Axial slice 416 of 634 of a contrast-enhanced abdominal CT in the arterial phase (slice 1 is the lowest), 120 kVp, kernel B20f; 1.00 mm slice thickness and 0.838 mm pixels.
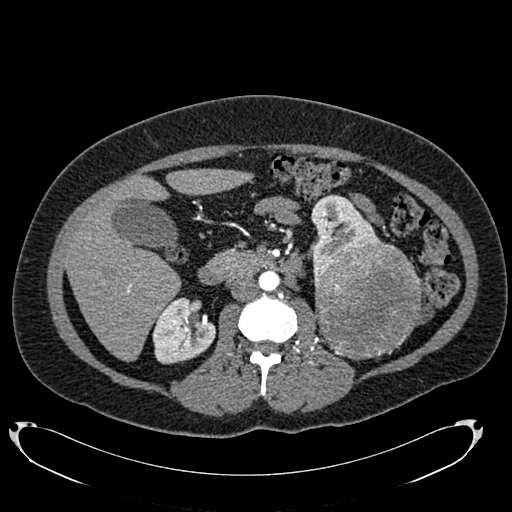
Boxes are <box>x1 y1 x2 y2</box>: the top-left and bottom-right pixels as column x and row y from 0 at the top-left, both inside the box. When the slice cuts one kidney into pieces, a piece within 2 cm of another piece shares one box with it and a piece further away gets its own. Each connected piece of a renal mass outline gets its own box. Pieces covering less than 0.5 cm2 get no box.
Three boxes on this slice (two kidney boxes and one renal mass box), listed by box centre from the image's left to its right. (1) Right kidney: <box>152 297 215 364</box> (outlined area 3,077 px, about 21.6 cm2). (2) Left kidney: <box>311 194 380 278</box> (outlined area 2,990 px, about 21.0 cm2). (3) Left renal mass at <box>313 240 422 360</box> (outlined area 10,305 px, about 72.3 cm2).